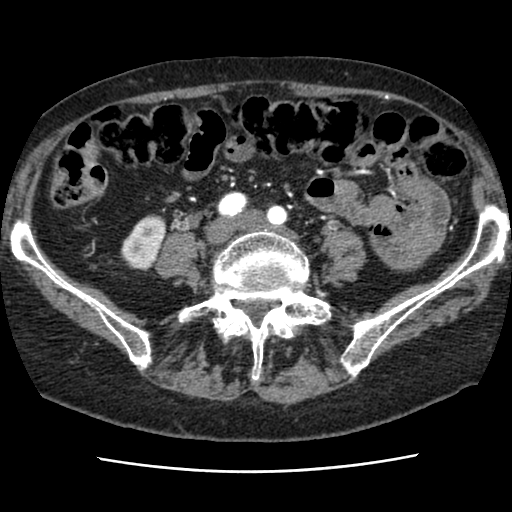
Abdominal CT with intravenous contrast, axial plane, 120 kVp, kernel STANDARD. Slice 13/76 from the bottom of the scan; thickness 2.50 mm; pixel size 0.586 mm.
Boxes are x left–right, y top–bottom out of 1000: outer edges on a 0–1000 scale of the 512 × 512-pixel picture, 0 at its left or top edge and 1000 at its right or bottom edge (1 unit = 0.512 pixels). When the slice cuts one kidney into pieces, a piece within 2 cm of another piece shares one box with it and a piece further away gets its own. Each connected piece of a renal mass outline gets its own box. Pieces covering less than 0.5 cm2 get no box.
Right kidney at x 234–326, y 418–529 out of 1000 (outlined area 1,750 px, about 6.0 cm2). No renal mass outline on this slice.